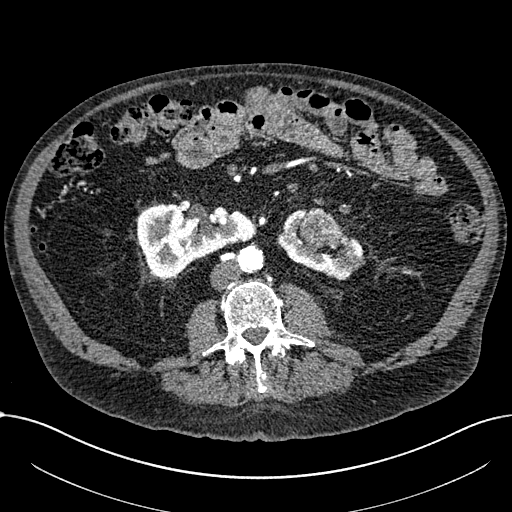
One axial slice (326 of 1059, counting up from the lowest) of an arterial-phase abdominal CT acquired with 100 kVp, kernel I30f; each pixel is 0.811 mm and the slice is 1.00 mm thick.
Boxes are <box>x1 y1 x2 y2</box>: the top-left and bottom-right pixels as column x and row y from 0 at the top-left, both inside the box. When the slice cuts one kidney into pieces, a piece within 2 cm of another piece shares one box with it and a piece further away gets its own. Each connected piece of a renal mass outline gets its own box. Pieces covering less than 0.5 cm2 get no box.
Three boxes on this slice (two kidney boxes and one renal mass box), listed by box centre from the image's left to its right. (1) At <box>137 203 255 278</box>: right part of the midline-crossing kidney (outlined area 5,901 px, about 38.8 cm2). (2) Renal mass at <box>297 207 343 248</box> (outlined area 1,332 px, about 8.8 cm2). (3) At <box>276 209 365 280</box>: left part of the midline-crossing kidney (outlined area 2,713 px, about 17.8 cm2).